Abdominal CT with intravenous contrast, axial plane, 120 kVp, kernel B. Slice 30/64 from the bottom of the scan; thickness 4.00 mm; pixel size 0.977 mm.
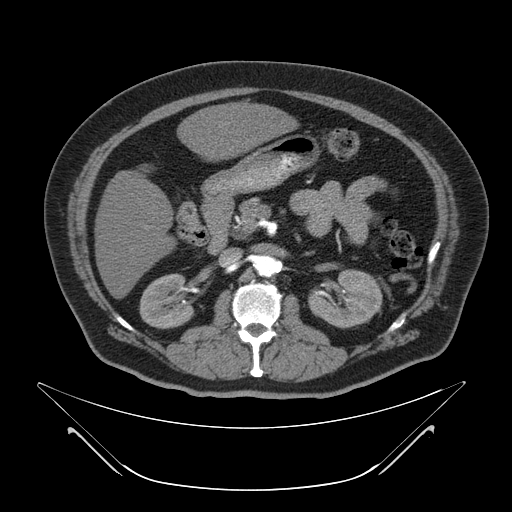
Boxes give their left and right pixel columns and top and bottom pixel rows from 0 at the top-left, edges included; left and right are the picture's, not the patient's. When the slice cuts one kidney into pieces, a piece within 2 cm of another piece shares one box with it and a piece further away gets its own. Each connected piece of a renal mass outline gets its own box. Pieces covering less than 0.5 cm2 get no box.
Boxed on this slice (two kidney boxes), listed by box centre from the image's left to its right: (1) Right kidney in the box with left 139, top 273, right 194, bottom 328 (outlined area 2,367 px, about 22.6 cm2). (2) Box with left 308, top 269, right 382, bottom 328: left kidney (outlined area 3,197 px, about 30.5 cm2). No renal mass outline on this slice.